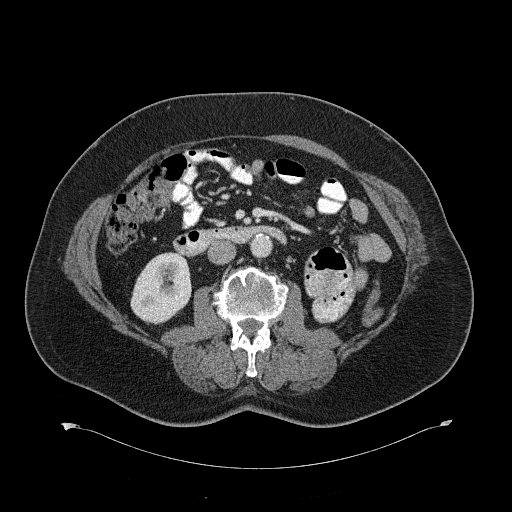
One axial slice (335 of 734, counting up from the lowest) of a contrast-enhanced abdominal CT acquired with 120 kVp, kernel B31f; each pixel is 0.971 mm and the slice is 2.00 mm thick.
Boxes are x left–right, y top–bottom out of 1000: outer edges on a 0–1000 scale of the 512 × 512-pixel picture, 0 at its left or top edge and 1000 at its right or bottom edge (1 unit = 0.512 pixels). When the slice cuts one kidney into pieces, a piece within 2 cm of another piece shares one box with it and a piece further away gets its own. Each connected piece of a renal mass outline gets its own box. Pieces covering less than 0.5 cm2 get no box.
Right kidney at x 254–375, y 492–635 out of 1000 (outlined area 3,277 px, about 30.9 cm2). No renal mass is outlined on this slice.